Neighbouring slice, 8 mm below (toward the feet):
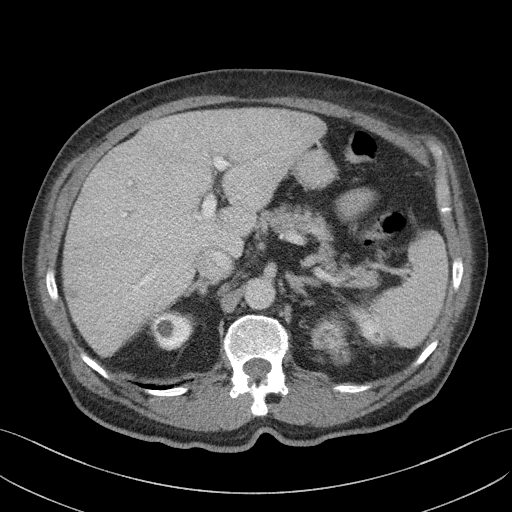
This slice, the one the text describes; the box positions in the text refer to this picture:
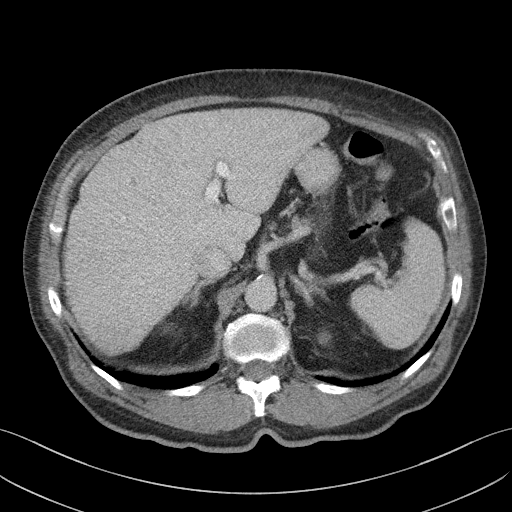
Axial slice 83 of 103 of a contrast-enhanced abdominal CT (slice 1 is the lowest), 100 kVp, kernel I41f; 4.00 mm slice thickness and 0.742 mm pixels.
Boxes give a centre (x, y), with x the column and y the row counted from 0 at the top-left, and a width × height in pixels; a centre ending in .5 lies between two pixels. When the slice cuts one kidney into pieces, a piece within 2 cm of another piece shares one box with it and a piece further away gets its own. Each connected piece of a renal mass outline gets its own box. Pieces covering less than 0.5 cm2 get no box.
Left renal mass in a box with centre (323.5, 338.5), 14 × 14 pixels (outlined area 140 px, about 0.8 cm2); no kidney outline appears on this slice, but the same outlined renal mass comes within 1 cm of the kidney on another slice. This slice lies near the end of the left renal mass toward the head; the slice 8 mm below it is shown too, and the boxes mark positions on this slice only.